Abdominal CT with intravenous contrast, arterial phase, axial plane, 100 kVp, kernel I26f. Slice 330/665 from the bottom of the scan; thickness 1.00 mm; pixel size 0.828 mm.
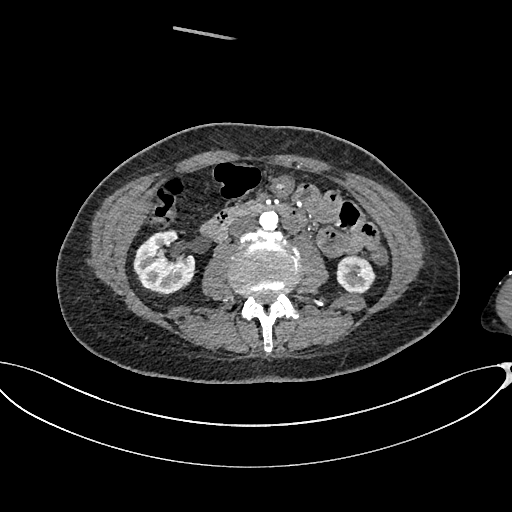
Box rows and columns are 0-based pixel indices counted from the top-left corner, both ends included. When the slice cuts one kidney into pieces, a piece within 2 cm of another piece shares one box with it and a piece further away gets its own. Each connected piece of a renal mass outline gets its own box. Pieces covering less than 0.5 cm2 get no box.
Two boxes on this slice (two kidney boxes), listed by box centre from the image's left to its right. (1) Box rows 230–295, columns 133–195: right kidney (outlined area 2,994 px, about 20.5 cm2). (2) Box rows 255–293, columns 336–375: left kidney (outlined area 1,184 px, about 8.1 cm2). This slice carries no renal mass outline.